Abdominal CT with intravenous contrast, arterial phase, axial plane, 120 kVp, kernel B31f. Slice 109/285 from the bottom of the scan; thickness 2.00 mm; pixel size 0.762 mm.
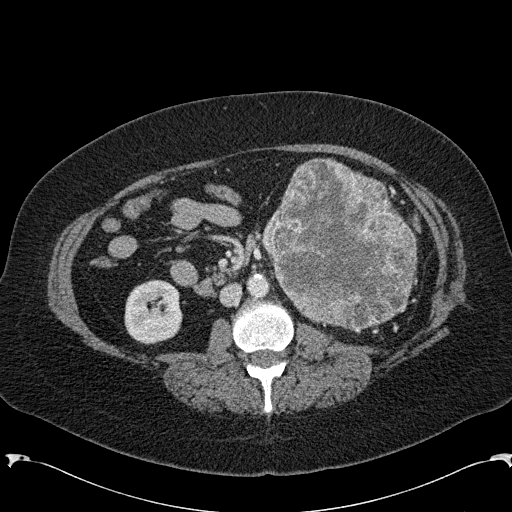
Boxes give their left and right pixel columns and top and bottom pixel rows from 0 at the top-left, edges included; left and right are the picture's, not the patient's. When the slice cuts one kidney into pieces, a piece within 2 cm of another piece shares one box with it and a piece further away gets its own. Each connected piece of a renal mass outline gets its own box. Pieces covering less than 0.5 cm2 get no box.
One kidney box and one renal mass box on this slice; by box centre, from the image's left to its right: (1) Right kidney in the box with left 124, top 279, right 182, bottom 344 (outlined area 3,066 px, about 17.8 cm2). (2) Left renal mass in the box with left 261, top 158, right 417, bottom 330 (outlined area 19,620 px, about 113.8 cm2); it sits over 1 cm from every kidney outline on this slice, but the same outlined renal mass comes within 1 cm of the kidney on another slice.